One axial slice (136 of 186, counting up from the lowest) of a contrast-enhanced abdominal CT acquired with 120 kVp, kernel STANDARD; each pixel is 0.850 mm and the slice is 2.50 mm thick.
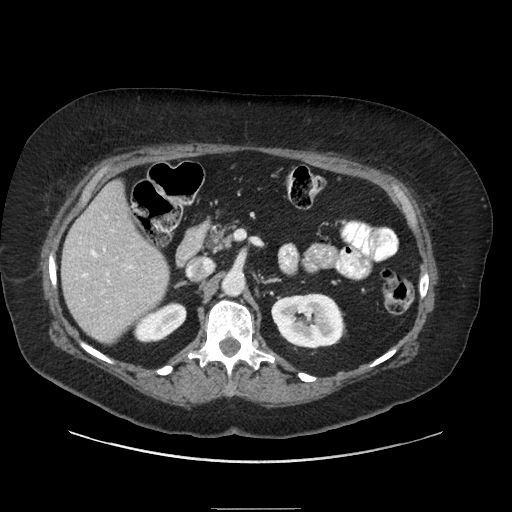
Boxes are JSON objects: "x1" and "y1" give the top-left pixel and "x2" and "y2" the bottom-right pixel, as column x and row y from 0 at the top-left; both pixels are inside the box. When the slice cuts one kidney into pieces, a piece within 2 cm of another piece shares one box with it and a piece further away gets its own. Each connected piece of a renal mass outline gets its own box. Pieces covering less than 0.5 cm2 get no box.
Two kidney boxes on this slice; by box centre, from the image's left to its right: (1) Box {"x1": 133, "y1": 302, "x2": 186, "y2": 343}: right kidney (outlined area 1,419 px, about 10.2 cm2). (2) Left kidney at {"x1": 271, "y1": 293, "x2": 345, "y2": 349} (outlined area 3,295 px, about 23.8 cm2). No renal mass is outlined on this slice.